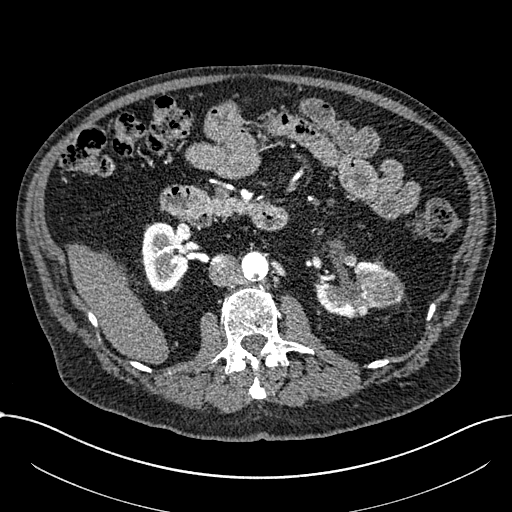
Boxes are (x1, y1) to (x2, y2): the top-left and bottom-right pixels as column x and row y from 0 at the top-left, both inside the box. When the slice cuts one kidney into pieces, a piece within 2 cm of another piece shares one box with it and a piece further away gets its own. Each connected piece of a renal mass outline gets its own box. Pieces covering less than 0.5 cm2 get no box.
Arterial-phase contrast-enhanced abdominal CT, axial slice 391 of 1059 (counted from the lowest slice); 1.00 mm thick, 0.811 mm per pixel. Boxed on this slice (two kidney boxes and one renal mass box), listed by box centre from the image's left to its right: (1) Right part of the midline-crossing kidney, box (141, 222) to (188, 291) (outlined area 2,477 px, about 16.3 cm2). (2) Left part of the midline-crossing kidney, box (316, 260) to (385, 318) (outlined area 2,144 px, about 14.1 cm2). (3) Box (361, 267) to (404, 308): renal mass (outlined area 1,332 px, about 8.8 cm2).
Tube voltage 100 kVp; convolution kernel I30f.